Abdominal CT with intravenous contrast, axial plane, 140 kVp, kernel B41f. Slice 30/61 from the bottom of the scan; thickness 3.00 mm; pixel size 0.939 mm.
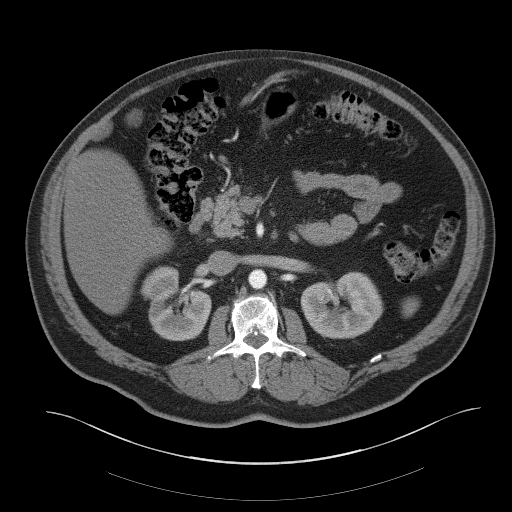
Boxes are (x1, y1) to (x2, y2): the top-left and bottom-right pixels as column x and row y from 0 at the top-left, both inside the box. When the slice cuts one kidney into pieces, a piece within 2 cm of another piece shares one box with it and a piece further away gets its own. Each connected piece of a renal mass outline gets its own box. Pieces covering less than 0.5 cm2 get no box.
Two boxes on this slice (two kidney boxes), listed by box centre from the image's left to its right. (1) Right kidney from (140, 266) to (211, 340) (outlined area 3,741 px, about 33.0 cm2). (2) Left kidney from (300, 271) to (383, 338) (outlined area 4,154 px, about 36.7 cm2). No renal mass outline on this slice.